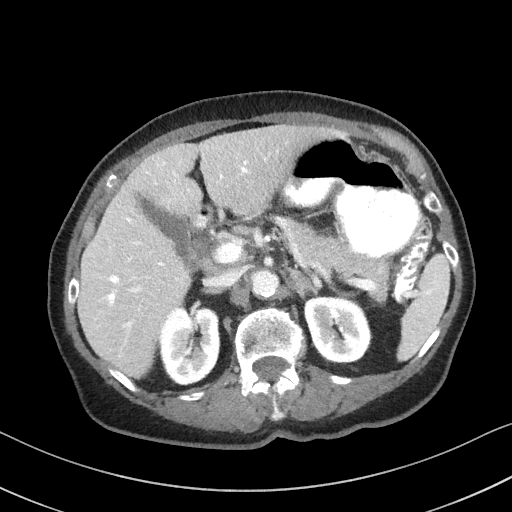
One axial slice (66 of 92, counting up from the lowest) of a contrast-enhanced abdominal CT acquired with 100 kVp, kernel I41f; each pixel is 0.684 mm and the slice is 3.00 mm thick.
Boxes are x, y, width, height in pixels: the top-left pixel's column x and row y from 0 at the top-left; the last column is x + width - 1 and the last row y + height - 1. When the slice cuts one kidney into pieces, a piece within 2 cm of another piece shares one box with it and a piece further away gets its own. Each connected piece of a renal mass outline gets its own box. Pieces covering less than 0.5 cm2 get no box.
Boxed on this slice (two kidney boxes), listed by box centre from the image's left to its right: (1) Right kidney at x 158, y 307, width 63, height 79 (outlined area 4,059 px, about 19.0 cm2). (2) Box x 303, y 296, width 68, height 67: left kidney (outlined area 3,513 px, about 16.4 cm2). This slice carries no renal mass outline.